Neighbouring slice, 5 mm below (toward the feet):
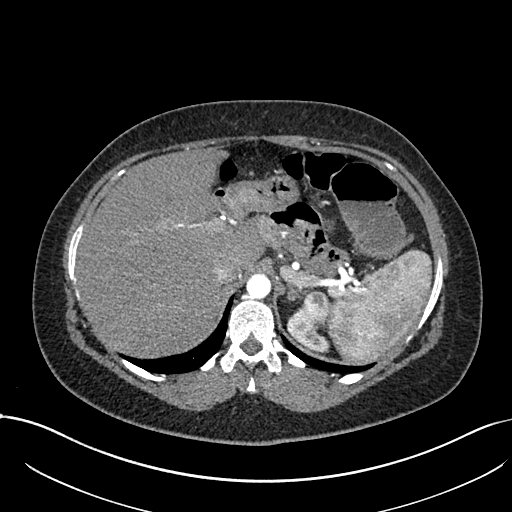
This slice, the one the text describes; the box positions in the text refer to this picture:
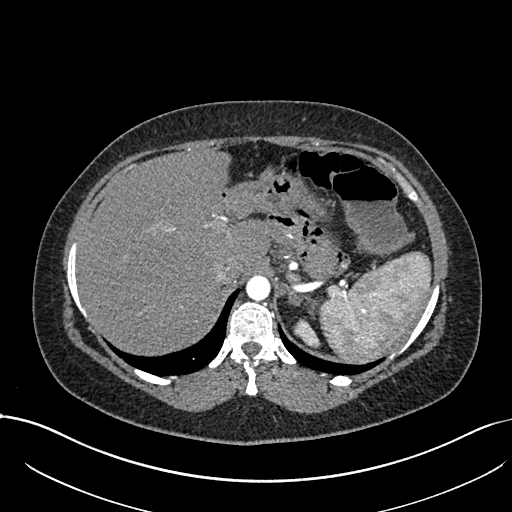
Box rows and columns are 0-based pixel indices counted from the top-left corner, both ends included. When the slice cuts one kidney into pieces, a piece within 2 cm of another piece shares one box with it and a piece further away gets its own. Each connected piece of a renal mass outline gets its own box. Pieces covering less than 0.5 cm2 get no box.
Arterial-phase contrast-enhanced abdominal CT, axial slice 576 of 738 (counted from the lowest slice); 1.00 mm thick, 0.789 mm per pixel. Two boxes on this slice (one kidney box and one renal mass box), listed by box centre from the image's left to its right. (1) Left kidney at rows 318–348, columns 293–320 (outlined area 479 px, about 3.0 cm2). (2) Box rows 299–316, columns 308–322: left renal mass (outlined area 160 px, about 1.0 cm2). This slice lies near the end of the left renal mass toward the head; the slice 5 mm below it is shown too, and the boxes mark positions on this slice only.
Scan settings: 120 kVp, I30f reconstruction kernel.